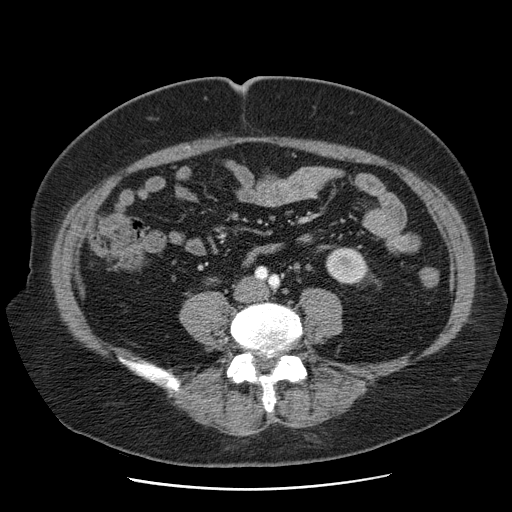
One axial slice (10 of 103, counting up from the lowest) of a contrast-enhanced abdominal CT acquired with 120 kVp, kernel STANDARD; each pixel is 0.736 mm and the slice is 2.50 mm thick.
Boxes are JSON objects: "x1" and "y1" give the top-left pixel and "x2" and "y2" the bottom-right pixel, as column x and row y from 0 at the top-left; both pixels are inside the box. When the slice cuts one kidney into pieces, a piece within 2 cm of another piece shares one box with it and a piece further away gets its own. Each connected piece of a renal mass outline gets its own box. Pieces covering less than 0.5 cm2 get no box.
Left kidney, box {"x1": 325, "y1": 247, "x2": 367, "y2": 284} (outlined area 1,251 px, about 6.8 cm2). No renal mass outline on this slice.